One axial slice (288 of 705, counting up from the lowest) of an arterial-phase abdominal CT acquired with 120 kVp, kernel I30f; each pixel is 0.703 mm and the slice is 1.00 mm thick.
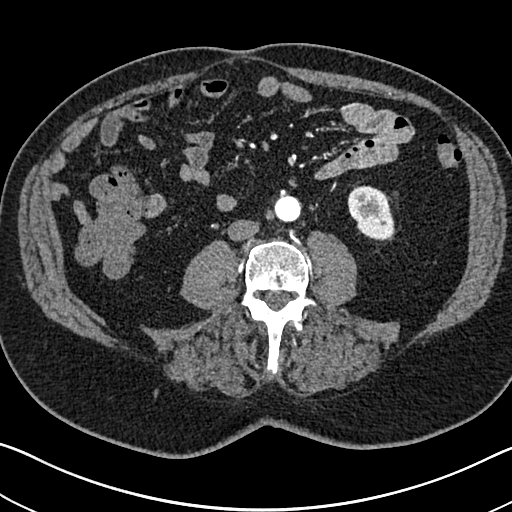
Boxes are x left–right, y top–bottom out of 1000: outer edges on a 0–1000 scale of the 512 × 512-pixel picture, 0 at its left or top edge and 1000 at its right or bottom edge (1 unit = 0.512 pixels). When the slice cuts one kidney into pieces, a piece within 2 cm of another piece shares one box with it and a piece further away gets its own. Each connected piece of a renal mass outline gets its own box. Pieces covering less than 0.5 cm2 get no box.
Left kidney at x 678–773, y 361–471 out of 1000 (outlined area 2,004 px, about 9.9 cm2). This slice carries no renal mass outline.